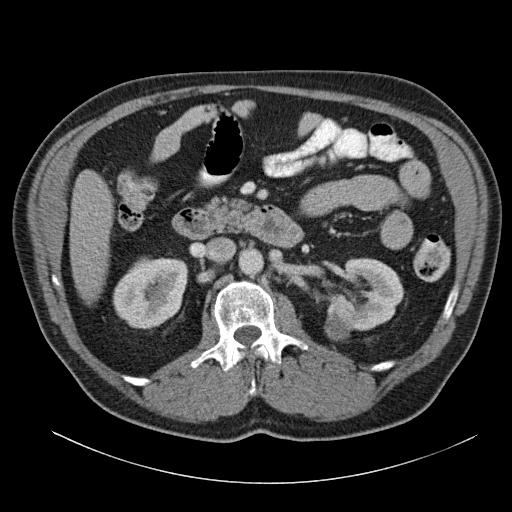
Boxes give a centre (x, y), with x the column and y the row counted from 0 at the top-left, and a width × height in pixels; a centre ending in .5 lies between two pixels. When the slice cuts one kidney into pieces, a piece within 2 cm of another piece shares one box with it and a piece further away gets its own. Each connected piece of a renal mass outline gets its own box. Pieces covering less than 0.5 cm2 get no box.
This is axial slice 72 of 140 (slice 1 is the lowest) of an arterial-phase abdominal CT with contrast; each pixel is 0.754 mm and the slice is 5.00 mm thick. Three boxes on this slice (two kidney boxes and one renal mass box), listed by box centre from the image's left to its right. (1) Right kidney in a box with centre (150, 292.5), 77 × 74 pixels (outlined area 4,208 px, about 23.9 cm2). (2) Left renal mass, box centre (337, 327.5), 27 × 28 pixels (outlined area 553 px, about 3.1 cm2). (3) Box centre (365.5, 294), 78 × 73 pixels: left kidney (outlined area 3,879 px, about 22.0 cm2).
Tube voltage 120 kVp; convolution kernel B31f.